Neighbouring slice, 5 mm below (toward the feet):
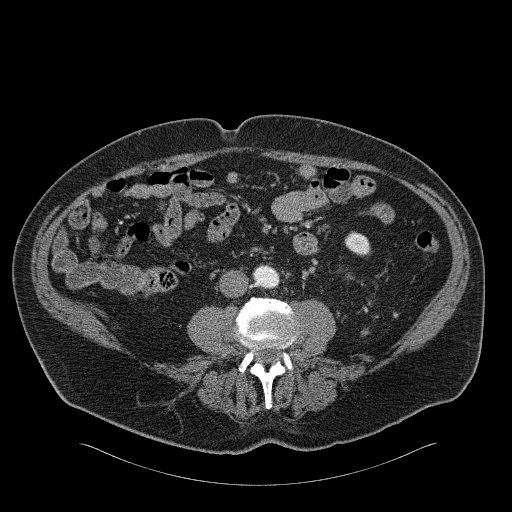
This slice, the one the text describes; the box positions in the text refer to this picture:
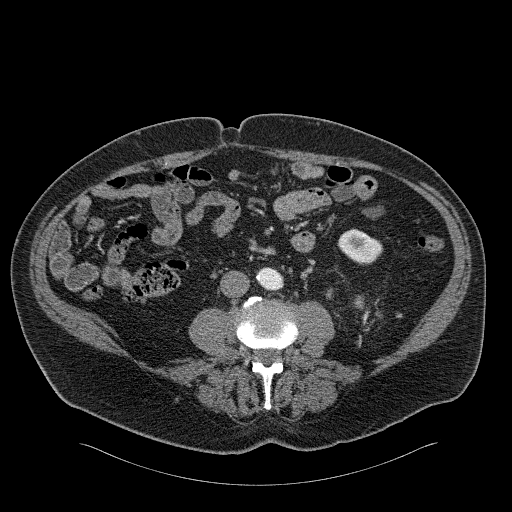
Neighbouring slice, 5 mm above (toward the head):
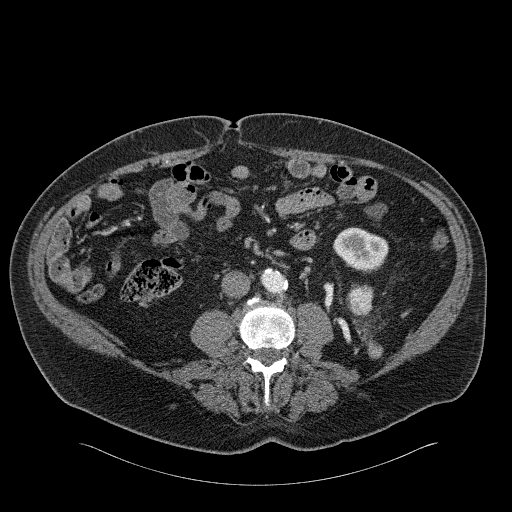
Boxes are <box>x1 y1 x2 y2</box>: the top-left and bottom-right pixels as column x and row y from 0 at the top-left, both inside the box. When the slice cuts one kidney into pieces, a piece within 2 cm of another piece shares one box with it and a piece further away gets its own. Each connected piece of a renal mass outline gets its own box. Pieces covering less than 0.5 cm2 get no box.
Arterial-phase contrast-enhanced abdominal CT, axial slice 62 of 326 (counted from the lowest slice); 2.00 mm thick, 0.963 mm per pixel. One kidney box and one renal mass box on this slice; by box centre, from the image's left to its right: (1) Left renal mass: <box>354 295 363 306</box> (outlined area 96 px, about 0.9 cm2); it sits over 1 cm from every kidney outline on this slice, but the same outlined renal mass comes within 1 cm of the kidney on another slice. (2) At <box>337 228 382 264</box>: left kidney (outlined area 1,132 px, about 10.5 cm2). This slice lies near the end of the left renal mass toward the feet; the slices 5 mm below and 5 mm above it are shown too, and the boxes mark positions on this slice only.
Scan settings: 120 kVp, B31f reconstruction kernel.